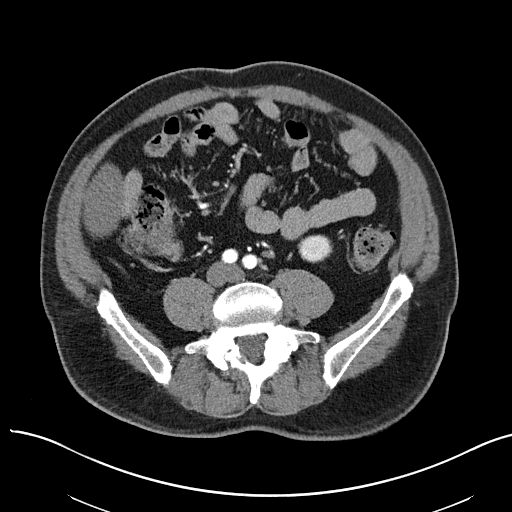
Abdominal CT with intravenous contrast, arterial phase, axial plane, 100 kVp, kernel I40f. Slice 6/97 from the bottom of the scan; thickness 3.00 mm; pixel size 0.797 mm.
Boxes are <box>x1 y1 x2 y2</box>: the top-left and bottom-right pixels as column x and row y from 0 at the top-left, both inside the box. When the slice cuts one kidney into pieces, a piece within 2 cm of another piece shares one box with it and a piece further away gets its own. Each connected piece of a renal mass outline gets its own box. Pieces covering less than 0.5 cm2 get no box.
At <box>298 234 332 262</box>: left kidney (outlined area 772 px, about 4.9 cm2). This slice carries no renal mass outline.